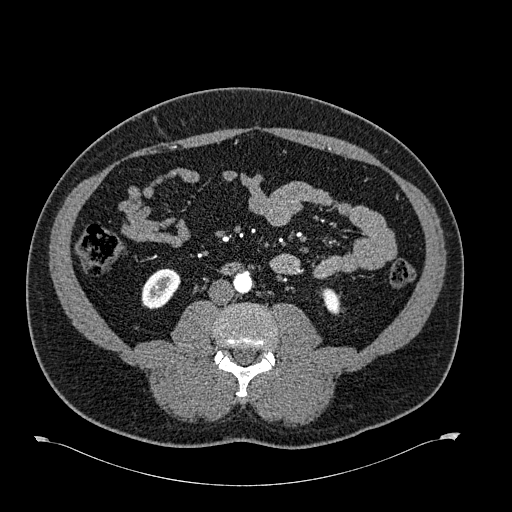
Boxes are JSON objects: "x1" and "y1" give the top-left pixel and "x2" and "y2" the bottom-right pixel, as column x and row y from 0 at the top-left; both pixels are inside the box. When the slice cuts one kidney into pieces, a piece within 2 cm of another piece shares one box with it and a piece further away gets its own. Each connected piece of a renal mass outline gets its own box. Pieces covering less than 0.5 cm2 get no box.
Slice 268/723 of a contrast-enhanced abdominal CT in the arterial phase, counting up from the lowest; pixel size 0.895 mm, slice thickness 1.00 mm. Two boxes on this slice (two kidney boxes), listed by box centre from the image's left to its right. (1) Right kidney, box {"x1": 141, "y1": 268, "x2": 180, "y2": 309} (outlined area 1,170 px, about 9.4 cm2). (2) Box {"x1": 320, "y1": 288, "x2": 341, "y2": 314}: left kidney (outlined area 395 px, about 3.2 cm2). This slice carries no renal mass outline.
Tube voltage 120 kVp; convolution kernel B30f.